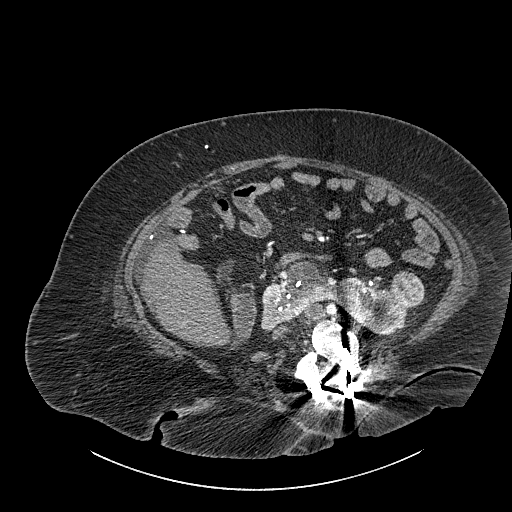
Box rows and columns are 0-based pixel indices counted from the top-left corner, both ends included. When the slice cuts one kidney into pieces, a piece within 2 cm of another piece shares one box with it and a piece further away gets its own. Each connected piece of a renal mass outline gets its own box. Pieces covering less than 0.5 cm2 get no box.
Contrast-enhanced abdominal CT, axial slice 490 of 834 (counted from the lowest slice); 1.00 mm thick, 0.977 mm per pixel. Two boxes on this slice (one kidney box and one renal mass box), listed by box centre from the image's left to its right. (1) Kidney crossing the body midline at rows 261–336, columns 260–414 (outlined area 5,686 px, about 54.2 cm2). (2) Renal mass, box rows 271–306, columns 389–423 (outlined area 984 px, about 9.4 cm2).
Scan settings: 140 kVp, I30f reconstruction kernel.